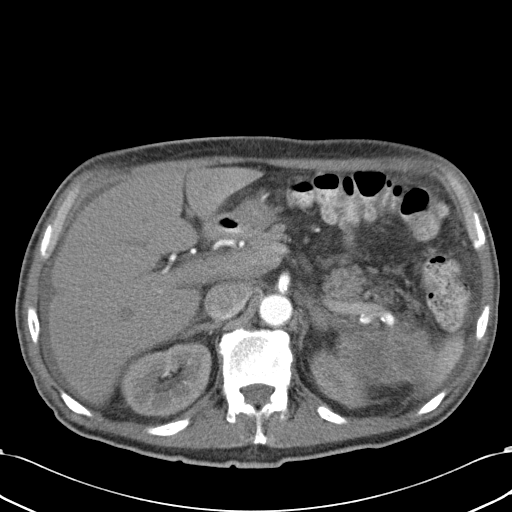
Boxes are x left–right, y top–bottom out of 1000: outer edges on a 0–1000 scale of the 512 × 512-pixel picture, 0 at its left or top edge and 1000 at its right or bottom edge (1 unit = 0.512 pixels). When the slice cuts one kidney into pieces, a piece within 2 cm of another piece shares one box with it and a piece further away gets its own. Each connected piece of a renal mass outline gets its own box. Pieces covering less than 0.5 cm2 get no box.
Contrast-enhanced abdominal CT, axial slice 22 of 43 (counted from the lowest slice); 5.00 mm thick, 0.701 mm per pixel. Boxed on this slice (two kidney boxes and one renal mass box), listed by box centre from the image's left to its right: (1) Right kidney at x 234–414, y 670–816 out of 1000 (outlined area 5,175 px, about 25.4 cm2). (2) Left kidney, box x 609–727, y 686–801 out of 1000 (outlined area 2,082 px, about 10.2 cm2). (3) Box x 654–854, y 637–756 out of 1000: left renal mass (outlined area 5,066 px, about 24.9 cm2).
Tube voltage 120 kVp; convolution kernel B31f.